Abdominal CT with intravenous contrast, axial plane, 100 kVp, kernel I40f. Slice 306/439 from the bottom of the scan; thickness 2.00 mm; pixel size 0.850 mm.
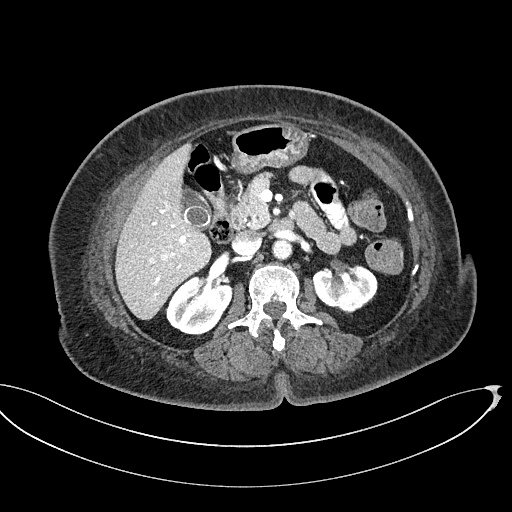
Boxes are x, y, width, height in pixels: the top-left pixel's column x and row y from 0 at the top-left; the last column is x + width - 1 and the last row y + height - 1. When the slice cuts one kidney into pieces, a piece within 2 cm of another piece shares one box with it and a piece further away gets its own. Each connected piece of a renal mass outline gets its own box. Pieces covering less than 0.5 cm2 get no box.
Boxed on this slice (two kidney boxes), listed by box centre from the image's left to its right: (1) Right kidney at x 165, y 276, width 68, height 60 (outlined area 2,884 px, about 20.8 cm2). (2) Box x 313, y 265, width 65, height 49: left kidney (outlined area 2,390 px, about 17.3 cm2). No renal mass is outlined on this slice.